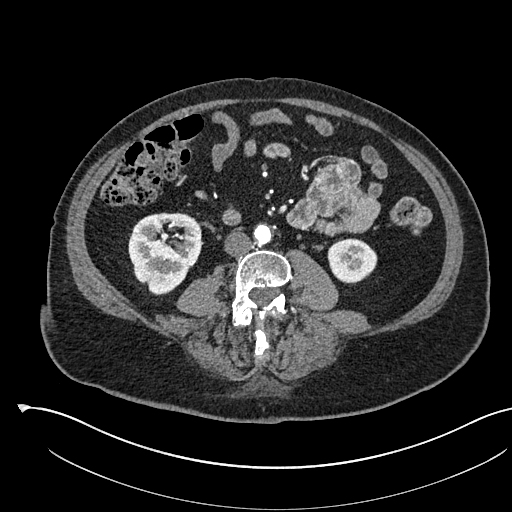
Axial slice 236 of 541 of a contrast-enhanced abdominal CT in the arterial phase (slice 1 is the lowest), 120 kVp, kernel I30f; 1.00 mm slice thickness and 0.834 mm pixels.
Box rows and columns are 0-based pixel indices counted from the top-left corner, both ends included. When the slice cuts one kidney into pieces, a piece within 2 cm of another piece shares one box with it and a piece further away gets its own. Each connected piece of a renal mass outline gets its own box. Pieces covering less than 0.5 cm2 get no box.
Two kidney boxes on this slice; by box centre, from the image's left to its right: (1) Right kidney, box rows 212–295, columns 128–201 (outlined area 4,623 px, about 32.2 cm2). (2) Left kidney, box rows 238–283, columns 327–377 (outlined area 1,776 px, about 12.4 cm2). No renal mass outline on this slice.